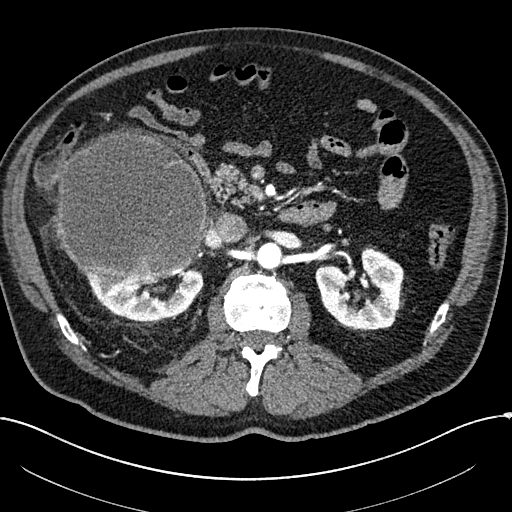
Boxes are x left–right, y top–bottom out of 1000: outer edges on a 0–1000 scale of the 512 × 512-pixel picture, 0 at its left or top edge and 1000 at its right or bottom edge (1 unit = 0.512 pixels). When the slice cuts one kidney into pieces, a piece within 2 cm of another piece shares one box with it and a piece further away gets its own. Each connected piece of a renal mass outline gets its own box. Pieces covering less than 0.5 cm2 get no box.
Arterial-phase contrast-enhanced abdominal CT, axial slice 123 of 304 (counted from the lowest slice); 2.00 mm thick, 0.809 mm per pixel. Two kidney boxes and one renal mass box on this slice; by box centre, from the image's left to its right: (1) Box x 109–406, y 250–553 out of 1000: right renal mass (outlined area 18,858 px, about 123.3 cm2). (2) Box x 162–398, y 523–627 out of 1000: right kidney (outlined area 3,669 px, about 24.0 cm2). (3) Left kidney at x 615–791, y 482–645 out of 1000 (outlined area 4,979 px, about 32.6 cm2).
Acquired at 100 kVp and reconstructed with the I30f kernel.